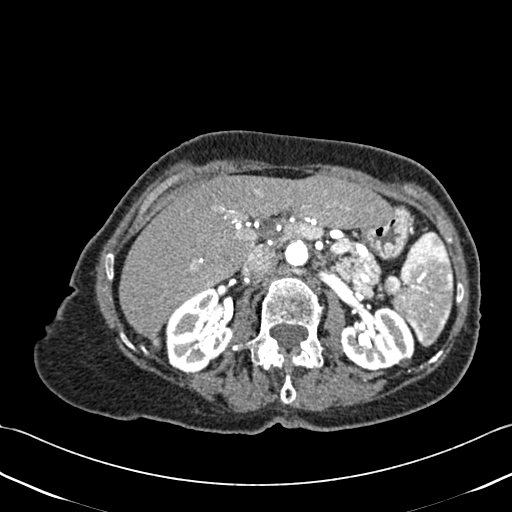
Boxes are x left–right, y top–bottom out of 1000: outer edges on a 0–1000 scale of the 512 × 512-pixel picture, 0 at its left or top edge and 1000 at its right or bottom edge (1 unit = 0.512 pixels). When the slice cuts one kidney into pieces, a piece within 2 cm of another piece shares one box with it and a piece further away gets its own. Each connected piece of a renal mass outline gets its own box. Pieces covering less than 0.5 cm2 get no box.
Contrast-enhanced abdominal CT, axial slice 269 of 433 (counted from the lowest slice); 1.00 mm thick, 0.672 mm per pixel. Two boxes on this slice (two kidney boxes), listed by box centre from the image's left to its right. (1) Right kidney at x 322–455, y 561–729 out of 1000 (outlined area 4,144 px, about 18.7 cm2). (2) Box x 664–811, y 598–725 out of 1000: left kidney (outlined area 3,610 px, about 16.3 cm2).
Acquired at 120 kVp and reconstructed with the B30f kernel.